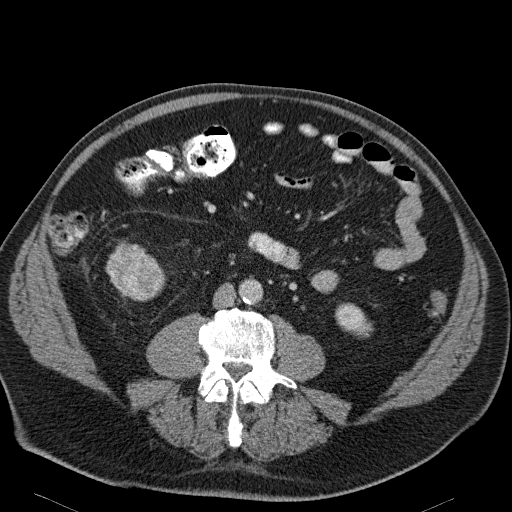
Axial slice 67 of 114 of a contrast-enhanced abdominal CT in the arterial phase (slice 1 is the lowest), 120 kVp, kernel B31f; 5.00 mm slice thickness and 0.781 mm pixels.
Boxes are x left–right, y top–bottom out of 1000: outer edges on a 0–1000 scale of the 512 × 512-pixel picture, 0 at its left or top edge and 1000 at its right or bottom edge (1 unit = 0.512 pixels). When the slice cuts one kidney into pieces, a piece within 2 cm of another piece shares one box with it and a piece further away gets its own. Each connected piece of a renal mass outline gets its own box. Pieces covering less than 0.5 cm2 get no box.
One kidney box and one renal mass box on this slice; by box centre, from the image's left to its right: (1) Box x 207–326, y 475–590 out of 1000: right renal mass (outlined area 2,531 px, about 15.4 cm2); on this slice it lies more than 1 cm from any kidney outline, but the same outlined renal mass comes within 1 cm of the kidney on another slice. (2) Left kidney at x 652–730, y 590–660 out of 1000 (outlined area 921 px, about 5.6 cm2).